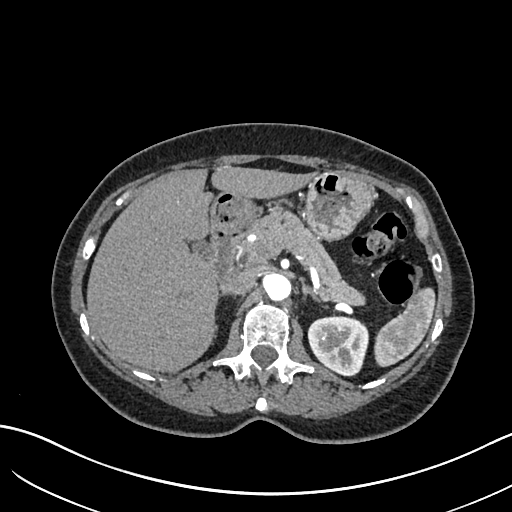
Axial slice 443 of 683 of a contrast-enhanced abdominal CT in the arterial phase (slice 1 is the lowest), 120 kVp, kernel I30f; 1.00 mm slice thickness and 0.738 mm pixels.
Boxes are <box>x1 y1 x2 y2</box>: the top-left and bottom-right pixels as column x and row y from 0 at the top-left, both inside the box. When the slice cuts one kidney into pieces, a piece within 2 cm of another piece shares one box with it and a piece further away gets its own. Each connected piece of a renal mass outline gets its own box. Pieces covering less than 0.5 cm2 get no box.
At <box>308 315 368 376</box>: left kidney (outlined area 2,895 px, about 15.8 cm2). This slice carries no renal mass outline.